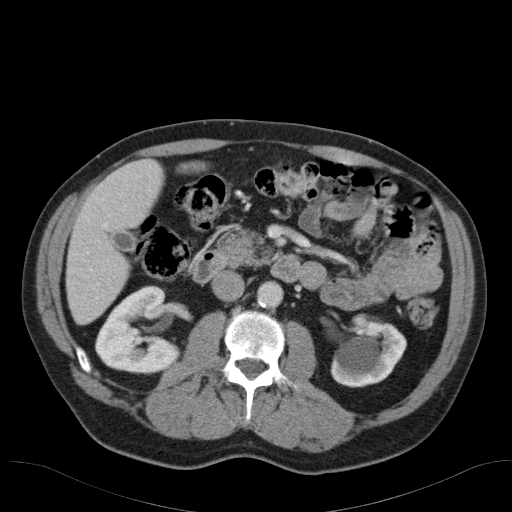
Axial slice 65 of 98 of a contrast-enhanced abdominal CT in the arterial phase (slice 1 is the lowest), 120 kVp, kernel B31f; 5.00 mm slice thickness and 0.764 mm pixels.
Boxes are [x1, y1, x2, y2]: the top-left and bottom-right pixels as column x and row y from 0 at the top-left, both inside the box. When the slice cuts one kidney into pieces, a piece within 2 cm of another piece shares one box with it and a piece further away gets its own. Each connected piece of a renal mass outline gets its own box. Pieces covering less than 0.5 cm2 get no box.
Boxed on this slice (two kidney boxes), listed by box centre from the image's left to its right: (1) Box [95, 285, 181, 374]: right kidney (outlined area 5,254 px, about 30.6 cm2). (2) Left kidney, box [330, 313, 406, 387] (outlined area 3,949 px, about 23.0 cm2). No renal mass outline on this slice.